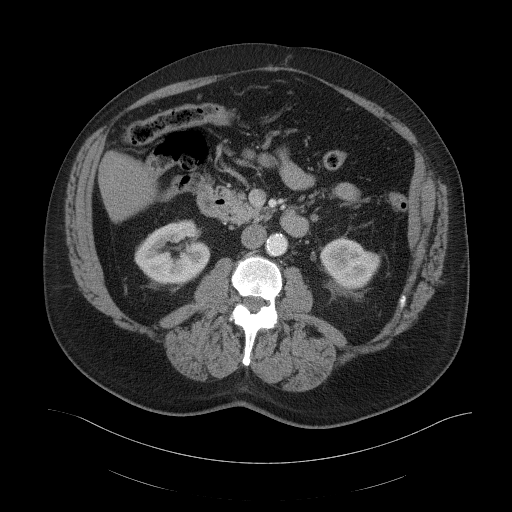
One axial slice (66 of 103, counting up from the lowest) of an arterial-phase abdominal CT acquired with 120 kVp, kernel B41f; each pixel is 0.951 mm and the slice is 5.00 mm thick.
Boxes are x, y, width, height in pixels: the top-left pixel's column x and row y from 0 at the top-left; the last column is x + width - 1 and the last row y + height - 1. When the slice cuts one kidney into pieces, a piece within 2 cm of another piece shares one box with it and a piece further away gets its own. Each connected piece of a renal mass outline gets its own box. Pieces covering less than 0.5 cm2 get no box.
Boxed on this slice (two kidney boxes), listed by box centre from the image's left to its right: (1) Right kidney, box x 134, y 219, width 77, height 68 (outlined area 3,631 px, about 32.9 cm2). (2) Left kidney at x 320, y 237, width 61, height 53 (outlined area 2,192 px, about 19.8 cm2). No renal mass is outlined on this slice.